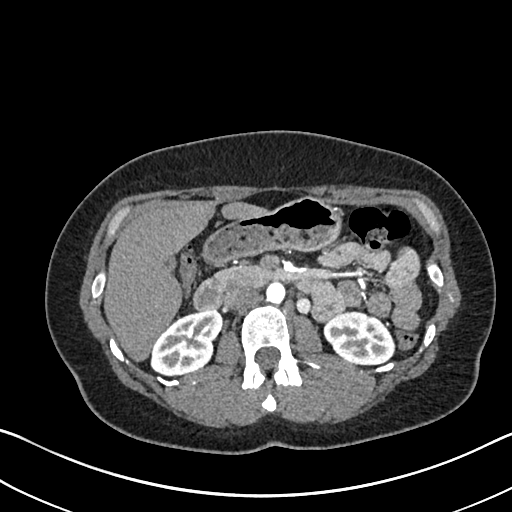
One axial slice (411 of 612, counting up from the lowest) of an arterial-phase abdominal CT acquired with 120 kVp, kernel I30f; each pixel is 0.703 mm and the slice is 1.00 mm thick.
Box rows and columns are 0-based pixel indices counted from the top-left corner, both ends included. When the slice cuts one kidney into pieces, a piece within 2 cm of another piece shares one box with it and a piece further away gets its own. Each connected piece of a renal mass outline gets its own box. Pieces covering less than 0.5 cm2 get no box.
Two kidney boxes on this slice; by box centre, from the image's left to its right: (1) Box rows 309–376, columns 150–222: right kidney (outlined area 3,325 px, about 16.4 cm2). (2) Box rows 311–364, columns 323–395: left kidney (outlined area 2,930 px, about 14.5 cm2). No renal mass is outlined on this slice.